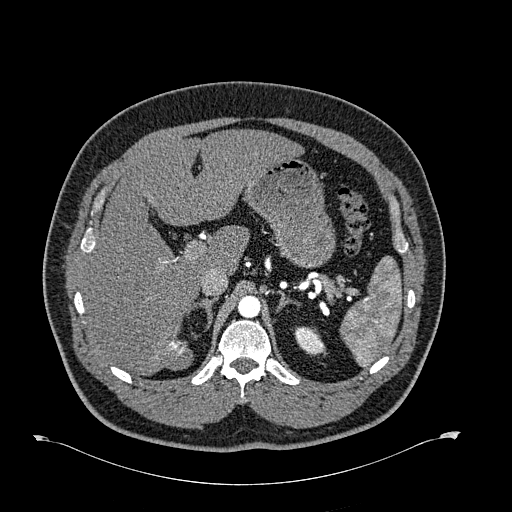
One axial slice (491 of 723, counting up from the lowest) of an arterial-phase abdominal CT acquired with 120 kVp, kernel B30f; each pixel is 0.895 mm and the slice is 1.00 mm thick.
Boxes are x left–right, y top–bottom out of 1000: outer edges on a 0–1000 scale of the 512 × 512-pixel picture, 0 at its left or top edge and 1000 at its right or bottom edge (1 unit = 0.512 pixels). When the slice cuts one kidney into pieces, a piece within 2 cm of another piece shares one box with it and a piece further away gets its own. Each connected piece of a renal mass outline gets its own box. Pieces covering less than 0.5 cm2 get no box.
Box x 574–637, y 637–695 out of 1000: left kidney (outlined area 648 px, about 5.2 cm2). No renal mass outline on this slice.